One axial slice (458 of 532, counting up from the lowest) of an arterial-phase abdominal CT acquired with 120 kVp, kernel B30f; each pixel is 0.713 mm and the slice is 1.00 mm thick.
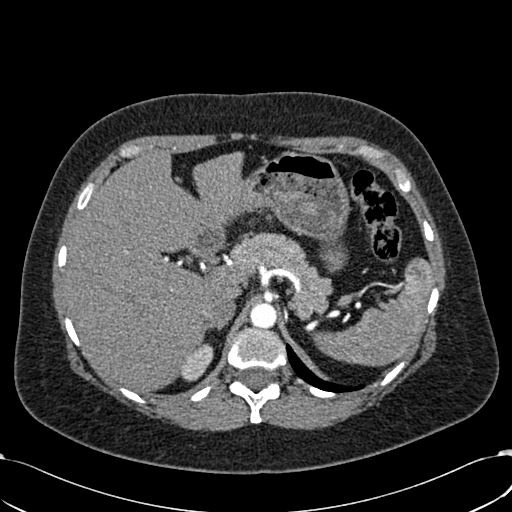
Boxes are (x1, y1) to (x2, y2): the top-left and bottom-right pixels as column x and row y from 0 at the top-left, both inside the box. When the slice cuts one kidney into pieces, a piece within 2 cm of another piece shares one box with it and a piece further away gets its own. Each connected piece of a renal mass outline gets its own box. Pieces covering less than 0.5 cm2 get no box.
Right kidney, box (179, 343) to (213, 381) (outlined area 836 px, about 4.2 cm2). This slice carries no renal mass outline.